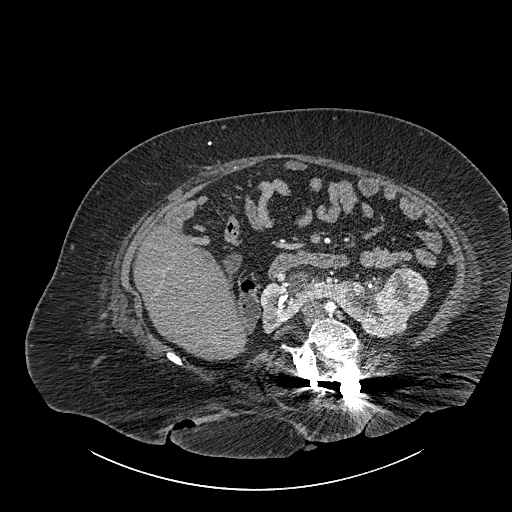
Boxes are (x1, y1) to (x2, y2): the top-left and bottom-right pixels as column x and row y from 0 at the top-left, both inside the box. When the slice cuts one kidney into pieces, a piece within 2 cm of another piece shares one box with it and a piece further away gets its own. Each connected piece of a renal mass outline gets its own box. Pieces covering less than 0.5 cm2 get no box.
Contrast-enhanced abdominal CT, axial slice 509 of 834 (counted from the lowest slice); 1.00 mm thick, 0.977 mm per pixel. One kidney box and one renal mass box on this slice; by box centre, from the image's left to its right: (1) Kidney crossing the body midline, box (259, 271) to (411, 339) (outlined area 5,382 px, about 51.3 cm2). (2) Box (385, 269) to (430, 314): renal mass (outlined area 1,661 px, about 15.8 cm2).
Acquired at 140 kVp and reconstructed with the I30f kernel.